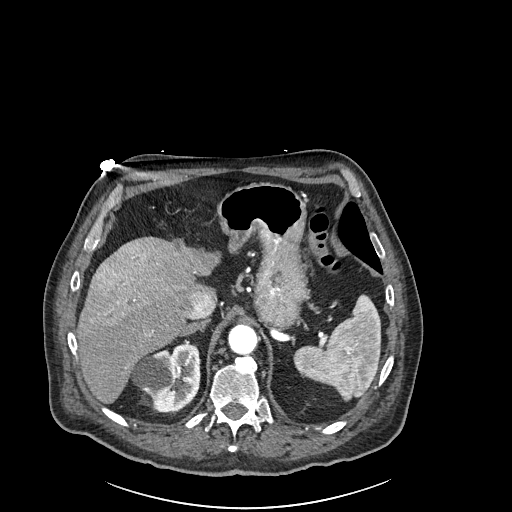
One axial slice (183 of 261, counting up from the lowest) of an arterial-phase abdominal CT acquired with 120 kVp, kernel I30f; each pixel is 0.939 mm and the slice is 2.00 mm thick.
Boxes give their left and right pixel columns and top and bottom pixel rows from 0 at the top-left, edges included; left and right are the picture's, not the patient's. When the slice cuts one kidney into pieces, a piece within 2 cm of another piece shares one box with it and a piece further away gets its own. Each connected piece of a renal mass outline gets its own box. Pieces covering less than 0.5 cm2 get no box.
Right kidney, the box with left 130, top 342, right 200, bottom 412 (outlined area 3,474 px, about 30.7 cm2). No renal mass outline on this slice.